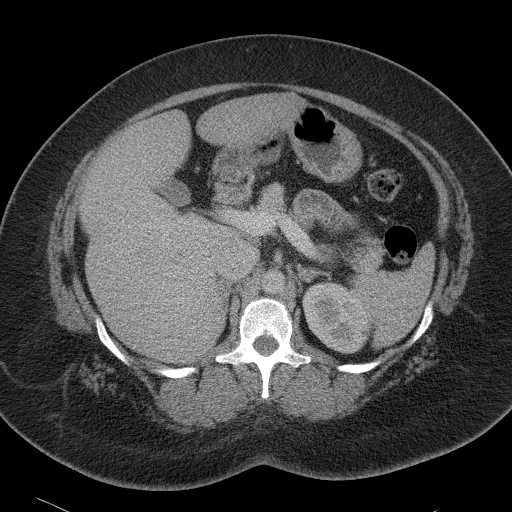
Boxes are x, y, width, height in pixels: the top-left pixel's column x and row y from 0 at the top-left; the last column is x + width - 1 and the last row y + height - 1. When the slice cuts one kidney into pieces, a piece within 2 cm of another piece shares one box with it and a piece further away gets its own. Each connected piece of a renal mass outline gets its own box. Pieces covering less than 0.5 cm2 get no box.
Slice 69/90 of a contrast-enhanced abdominal CT, counting up from the lowest; pixel size 0.781 mm, slice thickness 5.00 mm. Left kidney at x 302, y 281, width 70, height 73 (outlined area 3,645 px, about 22.2 cm2). No renal mass is outlined on this slice.
Scan settings: 120 kVp, B41f reconstruction kernel.